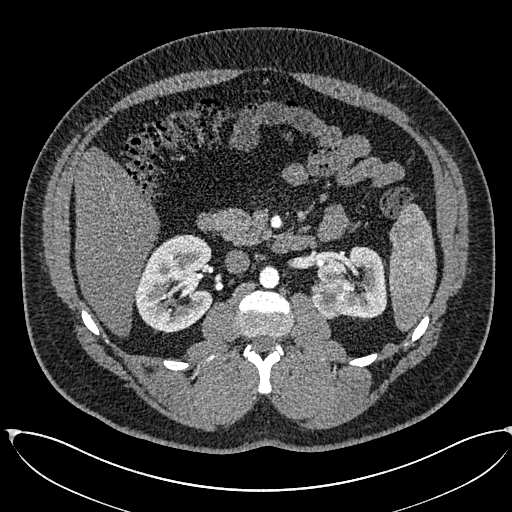
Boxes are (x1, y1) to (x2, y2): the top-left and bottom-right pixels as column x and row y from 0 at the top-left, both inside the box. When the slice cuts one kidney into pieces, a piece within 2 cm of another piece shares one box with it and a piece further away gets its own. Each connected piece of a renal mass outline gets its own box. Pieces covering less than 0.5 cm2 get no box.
Slice 362/673 of a contrast-enhanced abdominal CT in the arterial phase, counting up from the lowest; pixel size 0.855 mm, slice thickness 1.00 mm. Three boxes on this slice (two kidney boxes and one renal mass box), listed by box centre from the image's left to its right. (1) Right kidney, box (134, 234) to (213, 333) (outlined area 5,806 px, about 42.5 cm2). (2) Left renal mass, box (311, 280) to (351, 319) (outlined area 1,317 px, about 9.6 cm2). (3) Box (317, 245) to (386, 318): left kidney (outlined area 3,011 px, about 22.0 cm2).
Acquired at 120 kVp and reconstructed with the I30f kernel.